Abdominal CT with intravenous contrast, arterial phase, axial plane, 120 kVp, kernel B31f. Slice 87/326 from the bottom of the scan; thickness 2.00 mm; pixel size 0.963 mm.
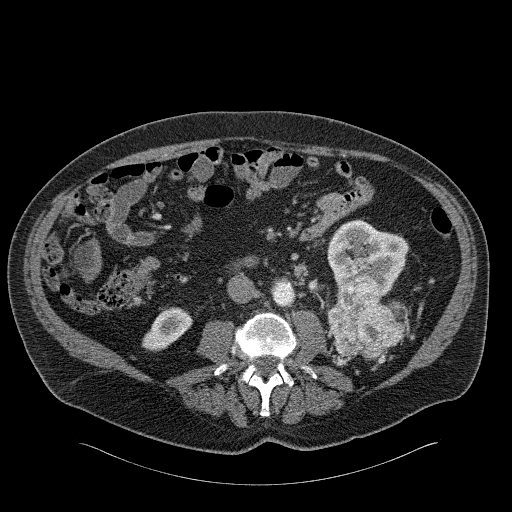
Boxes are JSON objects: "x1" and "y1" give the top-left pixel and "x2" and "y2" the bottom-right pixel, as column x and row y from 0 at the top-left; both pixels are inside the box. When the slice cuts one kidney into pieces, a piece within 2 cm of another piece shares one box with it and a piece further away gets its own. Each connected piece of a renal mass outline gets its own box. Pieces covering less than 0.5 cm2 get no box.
Three boxes on this slice (two kidney boxes and one renal mass box), listed by box centre from the image's left to its right. (1) Right kidney at {"x1": 142, "y1": 307, "x2": 192, "y2": 351} (outlined area 1,394 px, about 12.9 cm2). (2) Left renal mass at {"x1": 328, "y1": 275, "x2": 404, "y2": 359} (outlined area 4,599 px, about 42.6 cm2). (3) Left kidney at {"x1": 327, "y1": 219, "x2": 408, "y2": 296} (outlined area 4,109 px, about 38.1 cm2).